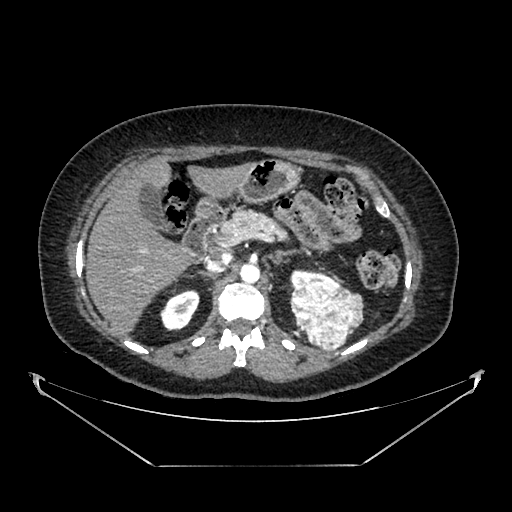
One axial slice (261 of 383, counting up from the lowest) of an arterial-phase abdominal CT acquired with 100 kVp, kernel SOFT; each pixel is 0.898 mm and the slice is 1.25 mm thick.
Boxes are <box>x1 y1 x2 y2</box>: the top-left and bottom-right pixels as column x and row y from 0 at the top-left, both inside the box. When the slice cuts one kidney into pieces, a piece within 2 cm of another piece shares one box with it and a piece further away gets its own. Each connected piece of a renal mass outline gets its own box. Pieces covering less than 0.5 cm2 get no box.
Three boxes on this slice (two kidney boxes and one renal mass box), listed by box centre from the image's left to its right. (1) Right kidney at <box>159 289 199 330</box> (outlined area 1,181 px, about 9.5 cm2). (2) At <box>290 270 341 288</box>: left kidney (outlined area 519 px, about 4.2 cm2). (3) Left renal mass at <box>290 281 364 351</box> (outlined area 3,870 px, about 31.2 cm2).